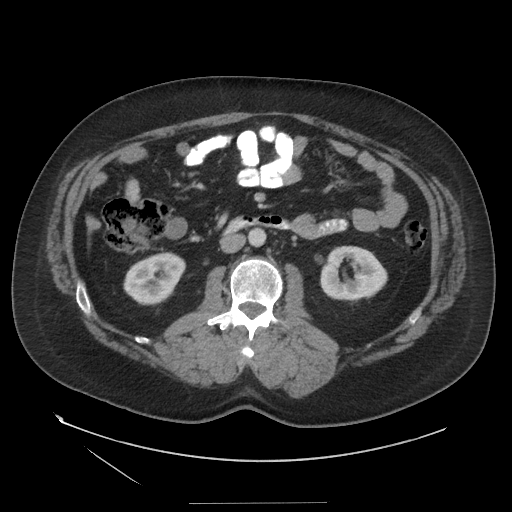
Abdominal CT with intravenous contrast, arterial phase, axial plane, 140 kVp, kernel STANDARD. Slice 73/129 from the bottom of the scan; thickness 3.75 mm; pixel size 0.938 mm.
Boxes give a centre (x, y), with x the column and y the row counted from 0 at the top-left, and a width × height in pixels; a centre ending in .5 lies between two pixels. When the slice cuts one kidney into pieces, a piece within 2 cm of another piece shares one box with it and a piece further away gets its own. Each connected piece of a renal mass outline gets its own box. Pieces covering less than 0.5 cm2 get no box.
Boxed on this slice (two kidney boxes), listed by box centre from the image's left to its right: (1) Box centre (154, 277.5), 63 × 56 pixels: right kidney (outlined area 2,443 px, about 21.5 cm2). (2) Left kidney, box centre (353.5, 272.5), 68 × 56 pixels (outlined area 2,885 px, about 25.4 cm2). No renal mass outline on this slice.